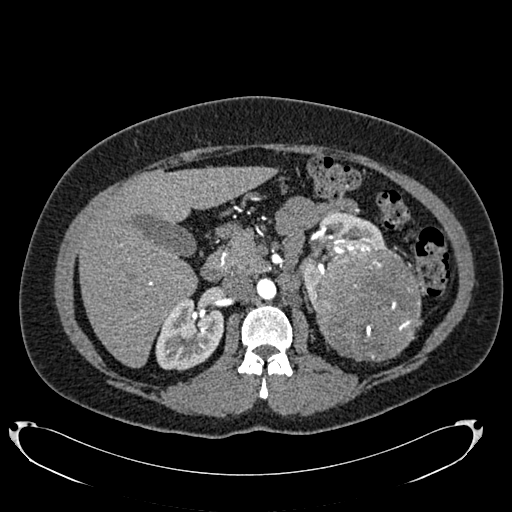
Axial slice 454 of 634 of a contrast-enhanced abdominal CT in the arterial phase (slice 1 is the lowest), 120 kVp, kernel B20f; 1.00 mm slice thickness and 0.838 mm pixels.
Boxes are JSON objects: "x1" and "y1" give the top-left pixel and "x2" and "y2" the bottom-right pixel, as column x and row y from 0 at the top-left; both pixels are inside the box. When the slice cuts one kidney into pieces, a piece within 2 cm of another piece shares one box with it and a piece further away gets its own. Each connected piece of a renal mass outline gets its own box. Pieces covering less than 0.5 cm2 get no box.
Boxed on this slice (two kidney boxes and one renal mass box), listed by box centre from the image's left to its right: (1) Right kidney at {"x1": 155, "y1": 295, "x2": 223, "y2": 371} (outlined area 3,762 px, about 26.4 cm2). (2) Left kidney, box {"x1": 300, "y1": 211, "x2": 385, "y2": 310} (outlined area 2,953 px, about 20.7 cm2). (3) Box {"x1": 313, "y1": 245, "x2": 422, "y2": 361}: left renal mass (outlined area 10,220 px, about 71.8 cm2).